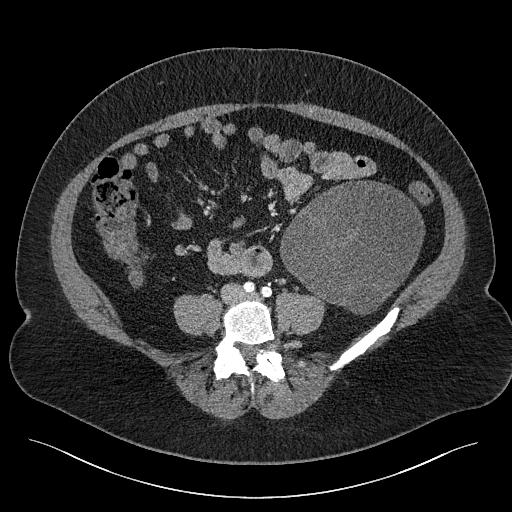
Axial slice 59 of 301 of a contrast-enhanced abdominal CT (slice 1 is the lowest), 120 kVp, kernel I40f; 2.00 mm slice thickness and 0.859 mm pixels.
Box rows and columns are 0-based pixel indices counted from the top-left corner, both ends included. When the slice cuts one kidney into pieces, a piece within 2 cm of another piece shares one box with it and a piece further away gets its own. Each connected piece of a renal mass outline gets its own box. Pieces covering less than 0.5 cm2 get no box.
Box rows 179–314, columns 280–424: left renal mass (outlined area 13,850 px, about 102.3 cm2); no kidney outline appears on this slice, but the same outlined renal mass comes within 1 cm of the kidney on another slice.